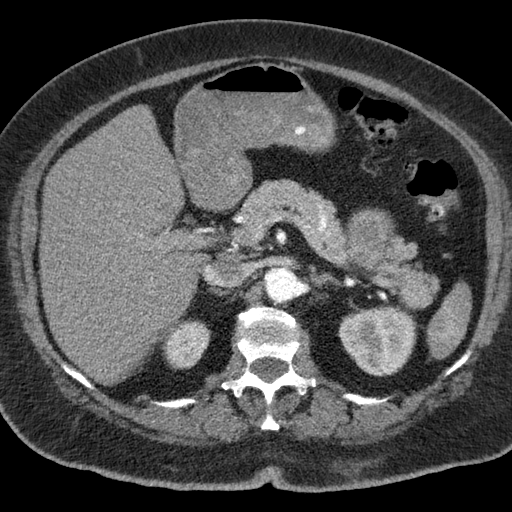
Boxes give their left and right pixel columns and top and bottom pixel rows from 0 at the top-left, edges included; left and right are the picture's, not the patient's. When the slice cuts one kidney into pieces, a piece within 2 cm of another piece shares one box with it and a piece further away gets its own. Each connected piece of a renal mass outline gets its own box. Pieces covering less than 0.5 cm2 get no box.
This is axial slice 46 of 76 (slice 1 is the lowest) of an abdominal CT with contrast; each pixel is 0.684 mm and the slice is 3.00 mm thick. Boxed on this slice (two kidney boxes), listed by box centre from the image's left to its right: (1) Right kidney, the box with left 161, top 319, right 211, bottom 370 (outlined area 1,827 px, about 8.5 cm2). (2) Box with left 337, top 306, right 417, bottom 376: left kidney (outlined area 4,274 px, about 20.0 cm2). This slice carries no renal mass outline.
Acquired at 120 kVp and reconstructed with the B kernel.